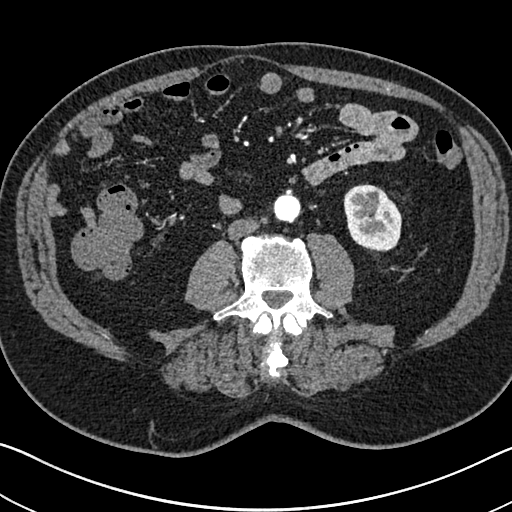
Abdominal CT with intravenous contrast, arterial phase, axial plane, 120 kVp, kernel I30f. Slice 305/705 from the bottom of the scan; thickness 1.00 mm; pixel size 0.703 mm.
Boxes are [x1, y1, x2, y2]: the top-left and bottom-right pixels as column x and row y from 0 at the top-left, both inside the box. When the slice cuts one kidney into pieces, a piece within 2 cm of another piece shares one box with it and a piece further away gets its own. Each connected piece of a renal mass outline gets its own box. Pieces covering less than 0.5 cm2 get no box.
Left kidney, box [343, 183, 401, 251] (outlined area 3,105 px, about 15.4 cm2). No renal mass is outlined on this slice.